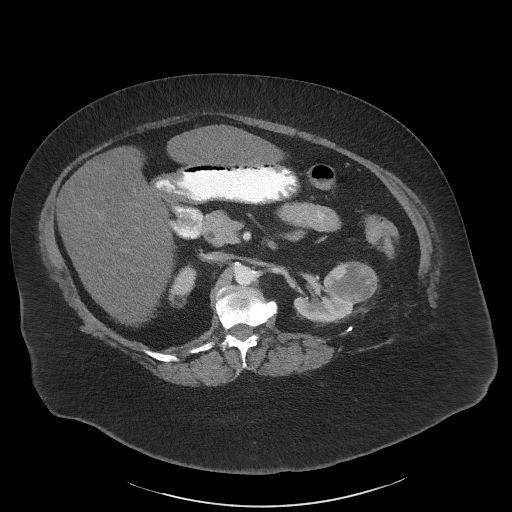
Abdominal CT with intravenous contrast, arterial phase, axial plane, 140 kVp, kernel I41f. Slice 39/61 from the bottom of the scan; thickness 3.00 mm; pixel size 0.947 mm.
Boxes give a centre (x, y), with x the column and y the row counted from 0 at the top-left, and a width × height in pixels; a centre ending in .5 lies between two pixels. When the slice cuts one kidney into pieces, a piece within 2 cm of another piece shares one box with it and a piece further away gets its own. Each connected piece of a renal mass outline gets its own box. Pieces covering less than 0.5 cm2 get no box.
Boxed on this slice (two kidney boxes and one renal mass box), listed by box centre from the image's left to its right: (1) Right kidney, box centre (182, 285.5), 29 × 44 pixels (outlined area 800 px, about 7.2 cm2). (2) Left kidney in a box with centre (323, 300.5), 61 × 48 pixels (outlined area 1,641 px, about 14.7 cm2). (3) Box centre (350.5, 282.5), 56 × 44 pixels: left renal mass (outlined area 1,833 px, about 16.4 cm2).